Abdominal CT with intravenous contrast, axial plane, 120 kVp, kernel B. Slice 51/88 from the bottom of the scan; thickness 5.00 mm; pixel size 0.865 mm.
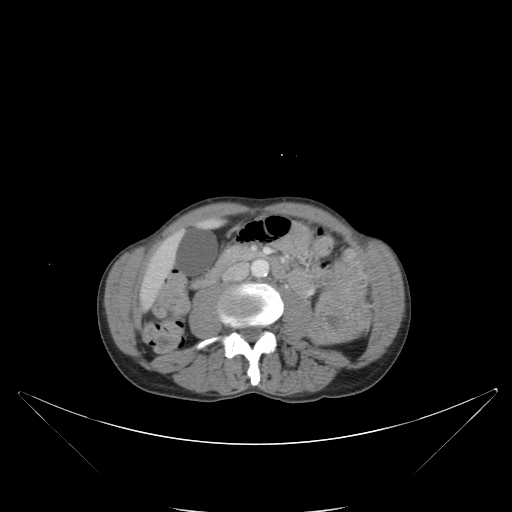
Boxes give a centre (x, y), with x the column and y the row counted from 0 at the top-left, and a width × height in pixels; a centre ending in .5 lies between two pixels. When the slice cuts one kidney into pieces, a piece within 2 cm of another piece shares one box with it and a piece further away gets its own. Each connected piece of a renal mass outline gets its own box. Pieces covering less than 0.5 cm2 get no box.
Box centre (340, 302), 63 × 87 pixels: left renal mass (outlined area 4,145 px, about 31.0 cm2); this slice has no kidney outline, though on another slice the same outlined renal mass lies within 1 cm of the kidney.